One axial slice (72 of 82, counting up from the lowest) of an arterial-phase abdominal CT acquired with 120 kVp, kernel B31f; each pixel is 0.625 mm and the slice is 5.00 mm thick.
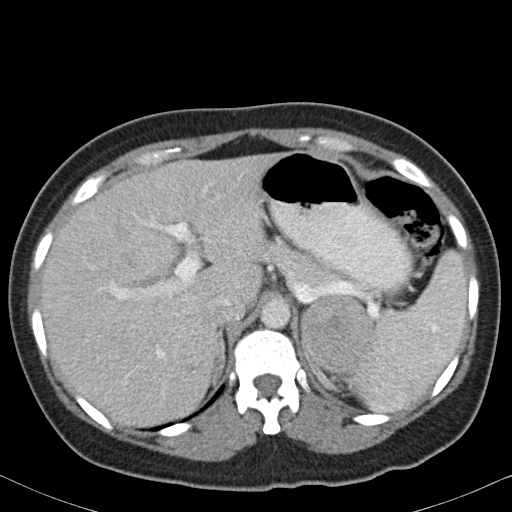
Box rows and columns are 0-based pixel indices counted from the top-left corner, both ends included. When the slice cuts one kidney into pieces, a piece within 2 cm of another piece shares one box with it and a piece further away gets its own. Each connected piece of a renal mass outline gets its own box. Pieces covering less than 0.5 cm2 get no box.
Box rows 296–371, columns 300–373: left renal mass (outlined area 4,350 px, about 17.0 cm2); this slice has no kidney outline, though on another slice the same outlined renal mass lies within 1 cm of the kidney.